Abdominal CT with intravenous contrast, axial plane, 120 kVp, kernel B41f. Slice 68/104 from the bottom of the scan; thickness 5.00 mm; pixel size 0.977 mm.
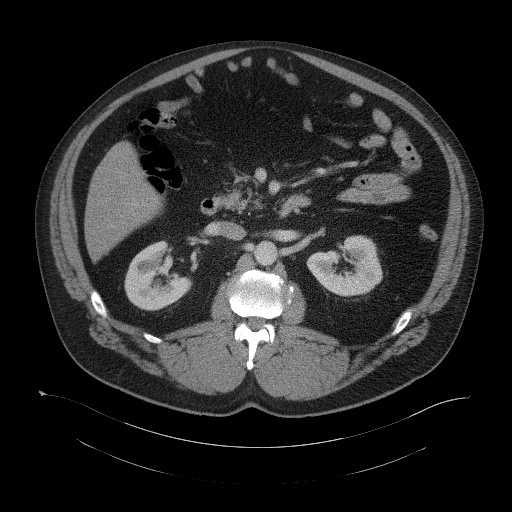
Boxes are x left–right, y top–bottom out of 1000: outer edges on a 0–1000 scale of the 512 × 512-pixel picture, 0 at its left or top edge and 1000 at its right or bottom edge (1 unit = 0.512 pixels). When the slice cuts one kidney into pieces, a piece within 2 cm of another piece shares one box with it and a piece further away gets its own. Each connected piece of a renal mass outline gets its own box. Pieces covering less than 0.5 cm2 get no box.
Two kidney boxes on this slice; by box centre, from the image's left to its right: (1) Box x 242–377, y 469–607 out of 1000: right kidney (outlined area 3,179 px, about 30.3 cm2). (2) Box x 598–748, y 459–580 out of 1000: left kidney (outlined area 3,263 px, about 31.1 cm2). This slice carries no renal mass outline.